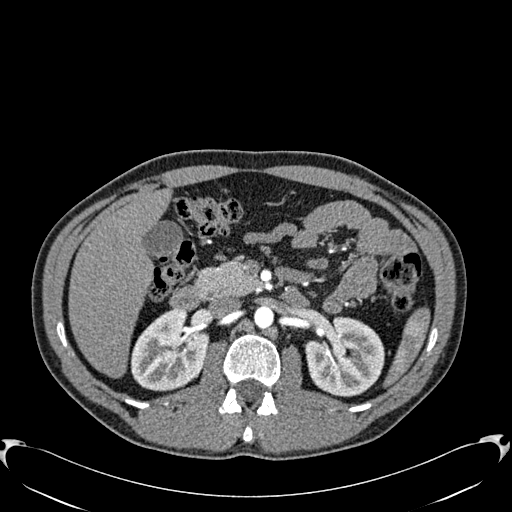
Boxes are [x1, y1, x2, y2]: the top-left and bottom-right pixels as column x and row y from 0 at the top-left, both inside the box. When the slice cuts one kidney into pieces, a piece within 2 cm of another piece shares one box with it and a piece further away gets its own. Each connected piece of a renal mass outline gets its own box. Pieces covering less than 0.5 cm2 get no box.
Slice 373/512 of a contrast-enhanced abdominal CT in the arterial phase, counting up from the lowest; pixel size 0.771 mm, slice thickness 1.00 mm. Boxed on this slice (two kidney boxes), listed by box centre from the image's left to its right: (1) Right kidney at [131, 309, 209, 391] (outlined area 4,798 px, about 28.6 cm2). (2) Left kidney, box [305, 316, 384, 396] (outlined area 4,893 px, about 29.1 cm2). No renal mass outline on this slice.
Acquired at 120 kVp and reconstructed with the B30f kernel.